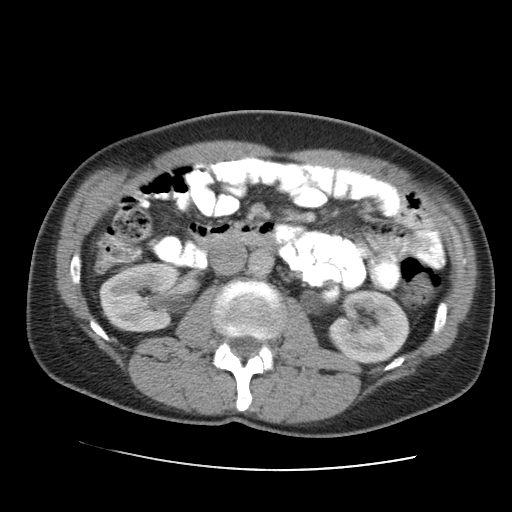
Abdominal CT with intravenous contrast, arterial phase, axial plane, 120 kVp, kernel STANDARD. Slice 66/105 from the bottom of the scan; thickness 5.00 mm; pixel size 0.707 mm.
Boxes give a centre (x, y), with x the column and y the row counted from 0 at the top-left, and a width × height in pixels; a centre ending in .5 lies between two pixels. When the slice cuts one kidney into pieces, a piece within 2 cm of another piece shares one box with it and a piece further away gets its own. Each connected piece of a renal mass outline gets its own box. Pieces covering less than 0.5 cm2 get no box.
Two kidney boxes on this slice; by box centre, from the image's left to its right: (1) Right kidney, box centre (139.5, 295), 82 × 71 pixels (outlined area 4,605 px, about 23.0 cm2). (2) Left kidney in a box with centre (368, 326.5), 83 × 76 pixels (outlined area 4,650 px, about 23.2 cm2). No renal mass outline on this slice.